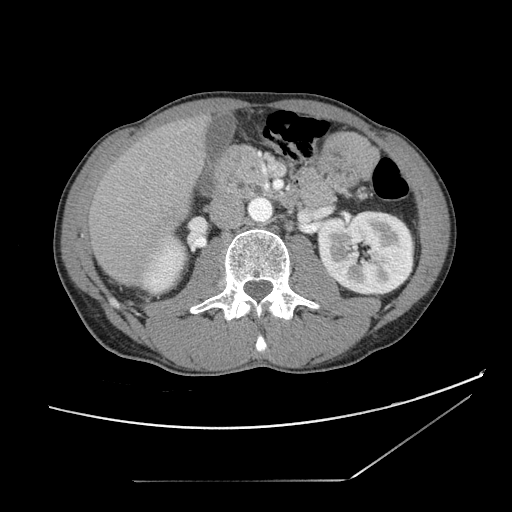
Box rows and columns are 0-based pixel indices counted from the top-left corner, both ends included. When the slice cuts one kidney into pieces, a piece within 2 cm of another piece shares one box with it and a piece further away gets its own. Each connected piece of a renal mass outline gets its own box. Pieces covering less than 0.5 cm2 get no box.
Contrast-enhanced abdominal CT, axial slice 61 of 121 (counted from the lowest slice); 2.50 mm thick, 0.742 mm per pixel. Two kidney boxes on this slice; by box centre, from the image's left to its right: (1) Right kidney at rows 235–294, columns 140–186 (outlined area 1,975 px, about 10.9 cm2). (2) Box rows 209–297, columns 316–415: left kidney (outlined area 6,895 px, about 38.0 cm2). No renal mass is outlined on this slice.
Tube voltage 120 kVp; convolution kernel STANDARD.